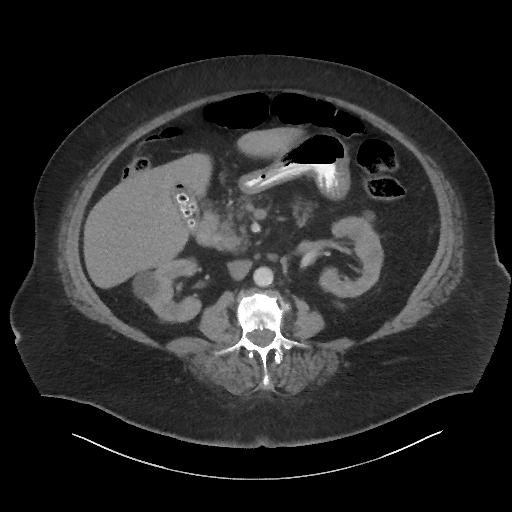
Contrast-enhanced abdominal CT, axial slice 33 of 86 (counted from the lowest slice); tube voltage 140 kVp, convolution kernel I44f; slices 3.00 mm thick, 0.977 mm per pixel.
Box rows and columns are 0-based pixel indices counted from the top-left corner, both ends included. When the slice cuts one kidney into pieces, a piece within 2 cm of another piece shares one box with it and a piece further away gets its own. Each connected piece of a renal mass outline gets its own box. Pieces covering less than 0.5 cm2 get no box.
Two kidney boxes on this slice; by box centre, from the image's left to its right: (1) Right kidney at rows 258–322, columns 133–202 (outlined area 2,840 px, about 27.1 cm2). (2) Left kidney, box rows 219–297, columns 319–383 (outlined area 3,311 px, about 31.6 cm2). This slice carries no renal mass outline.